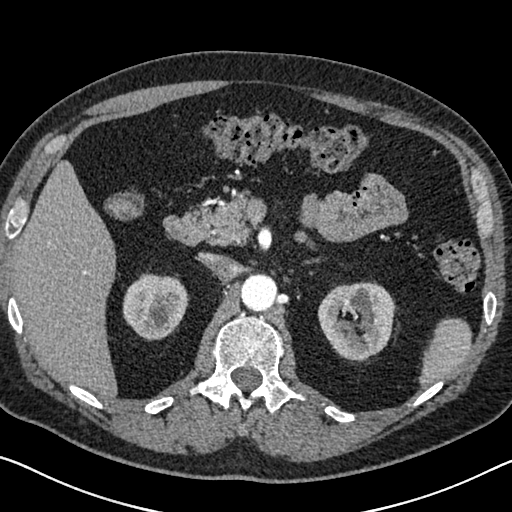
Abdominal CT with intravenous contrast, arterial phase, axial plane, 120 kVp, kernel I30f. Slice 454/626 from the bottom of the scan; thickness 1.00 mm; pixel size 0.703 mm.
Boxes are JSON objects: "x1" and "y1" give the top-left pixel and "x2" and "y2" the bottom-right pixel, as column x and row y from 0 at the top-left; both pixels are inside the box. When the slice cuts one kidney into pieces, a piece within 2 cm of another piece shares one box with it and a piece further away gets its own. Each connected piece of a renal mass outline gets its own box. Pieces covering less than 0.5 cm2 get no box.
Two boxes on this slice (two kidney boxes), listed by box centre from the image's left to its right. (1) Right kidney at {"x1": 122, "y1": 273, "x2": 188, "y2": 339} (outlined area 3,390 px, about 16.8 cm2). (2) Left kidney, box {"x1": 318, "y1": 281, "x2": 395, "y2": 361} (outlined area 4,686 px, about 23.2 cm2). This slice carries no renal mass outline.